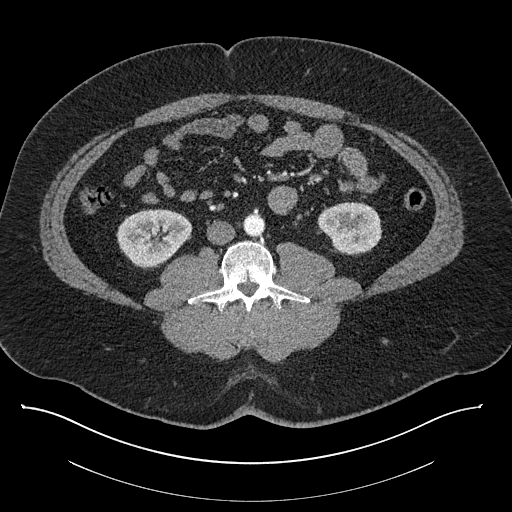
Contrast-enhanced abdominal CT, axial slice 390 of 787 (counted from the lowest slice); tube voltage 140 kVp, convolution kernel I30f; slices 1.00 mm thick, 0.910 mm per pixel.
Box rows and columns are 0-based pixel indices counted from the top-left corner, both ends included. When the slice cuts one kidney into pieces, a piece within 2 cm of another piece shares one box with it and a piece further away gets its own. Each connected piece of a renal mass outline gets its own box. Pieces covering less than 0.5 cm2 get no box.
Two kidney boxes on this slice; by box centre, from the image's left to its right: (1) Box rows 208–267, columns 116–191: right kidney (outlined area 3,290 px, about 27.3 cm2). (2) Left kidney at rows 202–255, columns 317–382 (outlined area 2,649 px, about 21.9 cm2). No renal mass outline on this slice.